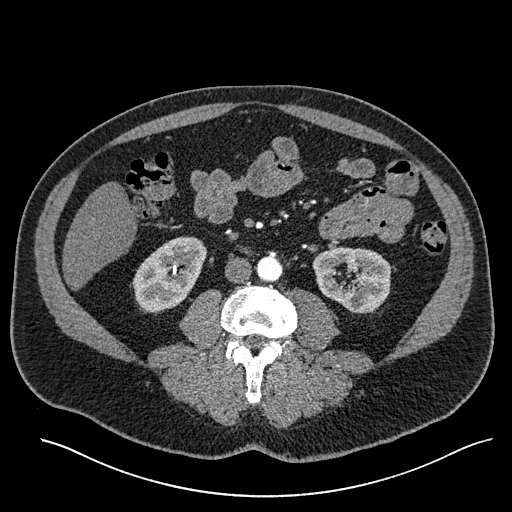
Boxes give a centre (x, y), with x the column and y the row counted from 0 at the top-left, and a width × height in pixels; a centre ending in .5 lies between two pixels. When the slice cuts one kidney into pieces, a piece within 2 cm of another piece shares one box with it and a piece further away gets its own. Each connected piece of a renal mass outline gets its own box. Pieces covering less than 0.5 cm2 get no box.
Arterial-phase contrast-enhanced abdominal CT, axial slice 244 of 527 (counted from the lowest slice); 1.00 mm thick, 0.859 mm per pixel. Boxed on this slice (two kidney boxes), listed by box centre from the image's left to its right: (1) Right kidney, box centre (169.5, 274), 74 × 77 pixels (outlined area 3,912 px, about 28.9 cm2). (2) Left kidney in a box with centre (351.5, 279.5), 80 × 68 pixels (outlined area 3,936 px, about 29.1 cm2). No renal mass outline on this slice.
Tube voltage 120 kVp; convolution kernel I30f.